Abdominal CT with intravenous contrast, arterial phase, axial plane, 120 kVp, kernel I30f. Slice 365/673 from the bottom of the scan; thickness 1.00 mm; pixel size 0.855 mm.
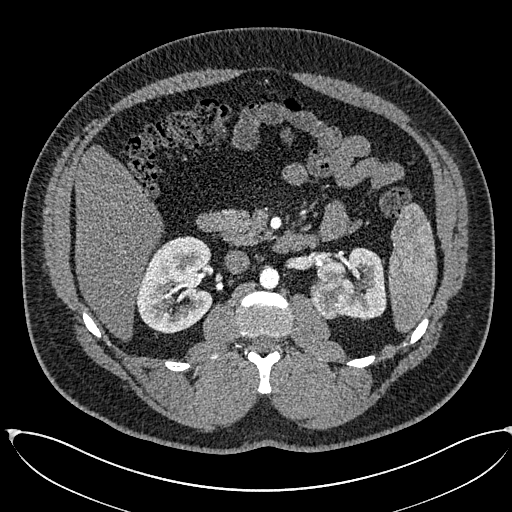
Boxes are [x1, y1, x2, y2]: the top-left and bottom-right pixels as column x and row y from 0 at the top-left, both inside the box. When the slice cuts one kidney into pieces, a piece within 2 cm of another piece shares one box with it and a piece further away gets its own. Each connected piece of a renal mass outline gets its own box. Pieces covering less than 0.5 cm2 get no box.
Three boxes on this slice (two kidney boxes and one renal mass box), listed by box centre from the image's left to its right. (1) Right kidney, box [136, 236, 212, 333] (outlined area 5,689 px, about 41.6 cm2). (2) Left renal mass at [310, 277, 352, 319] (outlined area 1,430 px, about 10.5 cm2). (3) Left kidney, box [317, 247, 386, 319] (outlined area 2,952 px, about 21.6 cm2).